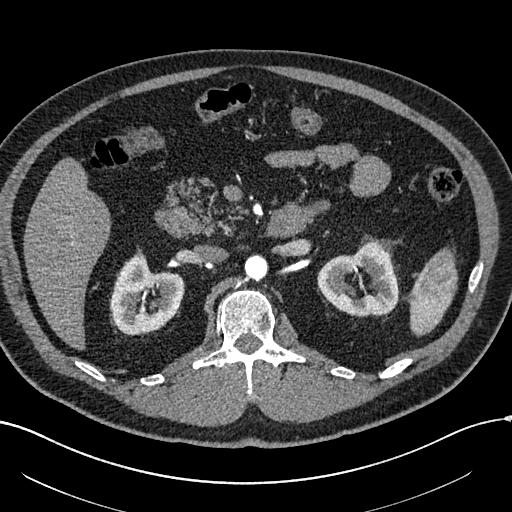
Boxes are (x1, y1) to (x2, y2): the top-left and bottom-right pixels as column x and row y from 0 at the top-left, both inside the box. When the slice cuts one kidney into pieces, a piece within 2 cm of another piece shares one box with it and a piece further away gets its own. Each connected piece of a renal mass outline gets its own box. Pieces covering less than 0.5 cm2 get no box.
Slice 372/602 of a contrast-enhanced abdominal CT in the arterial phase, counting up from the lowest; pixel size 0.799 mm, slice thickness 1.00 mm. Boxed on this slice (two kidney boxes), listed by box centre from the image's left to its right: (1) Right kidney from (109, 251) to (184, 334) (outlined area 4,259 px, about 27.2 cm2). (2) Left kidney, box (317, 240) to (397, 316) (outlined area 4,288 px, about 27.4 cm2). No renal mass outline on this slice.
Acquired at 120 kVp and reconstructed with the I30f kernel.